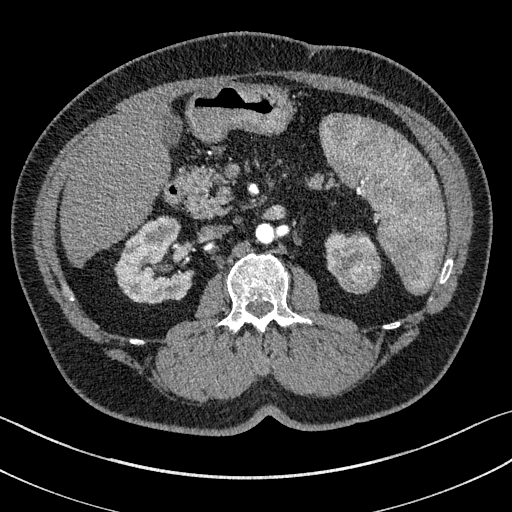
One axial slice (90 of 195, counting up from the lowest) of an arterial-phase abdominal CT acquired with 100 kVp, kernel I31f; each pixel is 0.707 mm and the slice is 1.50 mm thick.
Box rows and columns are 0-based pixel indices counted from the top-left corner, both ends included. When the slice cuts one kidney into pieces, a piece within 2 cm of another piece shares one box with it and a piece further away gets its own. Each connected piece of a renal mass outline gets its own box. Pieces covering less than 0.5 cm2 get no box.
Boxed on this slice (two kidney boxes and one renal mass box), listed by box centre from the image's left to its right: (1) Right kidney, box rows 216–303, columns 115–192 (outlined area 4,713 px, about 23.6 cm2). (2) Box rows 232–273, columns 325–371: left kidney (outlined area 520 px, about 2.6 cm2). (3) Box rows 239–293, columns 333–380: left renal mass (outlined area 2,142 px, about 10.7 cm2).